Abdominal CT with intravenous contrast, axial plane, 120 kVp, kernel STANDARD. Slice 57/76 from the bottom of the scan; thickness 2.50 mm; pixel size 0.586 mm.
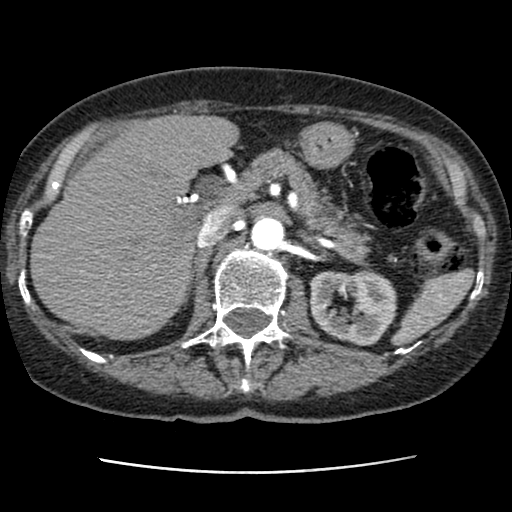
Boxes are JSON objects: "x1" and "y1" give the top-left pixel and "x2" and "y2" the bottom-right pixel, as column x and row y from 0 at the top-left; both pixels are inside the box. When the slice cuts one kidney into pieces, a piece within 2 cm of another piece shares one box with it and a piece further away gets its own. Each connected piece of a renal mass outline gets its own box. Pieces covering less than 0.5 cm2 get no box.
Left kidney, box {"x1": 309, "y1": 269, "x2": 397, "y2": 345} (outlined area 5,145 px, about 17.7 cm2). No renal mass outline on this slice.